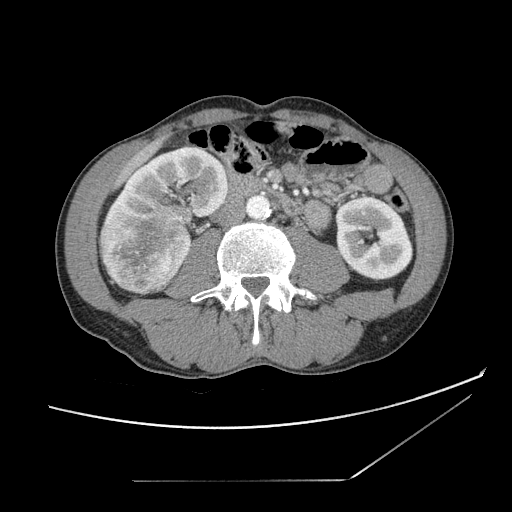
Abdominal CT with intravenous contrast, axial plane, 120 kVp, kernel STANDARD. Slice 47/121 from the bottom of the scan; thickness 2.50 mm; pixel size 0.742 mm.
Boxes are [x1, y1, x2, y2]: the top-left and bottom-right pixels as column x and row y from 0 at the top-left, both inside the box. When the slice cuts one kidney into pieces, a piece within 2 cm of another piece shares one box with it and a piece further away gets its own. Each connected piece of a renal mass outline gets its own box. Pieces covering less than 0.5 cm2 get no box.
Two kidney boxes and one renal mass box on this slice; by box centre, from the image's left to its right: (1) Right renal mass, box [99, 213, 197, 295] (outlined area 5,768 px, about 31.8 cm2). (2) Right kidney at [99, 146, 227, 242] (outlined area 7,122 px, about 39.2 cm2). (3) Left kidney at [335, 195, 413, 280] (outlined area 5,074 px, about 27.9 cm2).